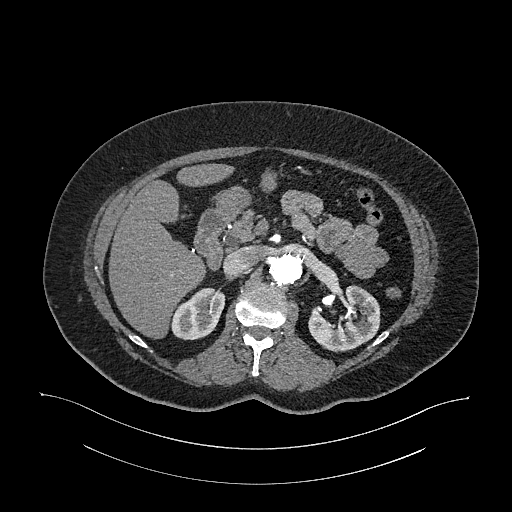
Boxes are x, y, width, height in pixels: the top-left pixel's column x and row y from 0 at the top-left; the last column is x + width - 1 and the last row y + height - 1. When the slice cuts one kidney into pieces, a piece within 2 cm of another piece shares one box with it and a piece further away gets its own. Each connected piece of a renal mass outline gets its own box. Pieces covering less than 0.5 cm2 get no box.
Arterial-phase contrast-enhanced abdominal CT, axial slice 702 of 987 (counted from the lowest slice); 1.00 mm thick, 0.977 mm per pixel. Two boxes on this slice (two kidney boxes), listed by box centre from the image's left to its right. (1) Right kidney, box x 170, y 287, width 56, height 54 (outlined area 2,057 px, about 19.6 cm2). (2) Box x 308, y 285, width 73, height 68: left kidney (outlined area 3,262 px, about 31.1 cm2). This slice carries no renal mass outline.
Scan settings: 120 kVp, I26f reconstruction kernel.